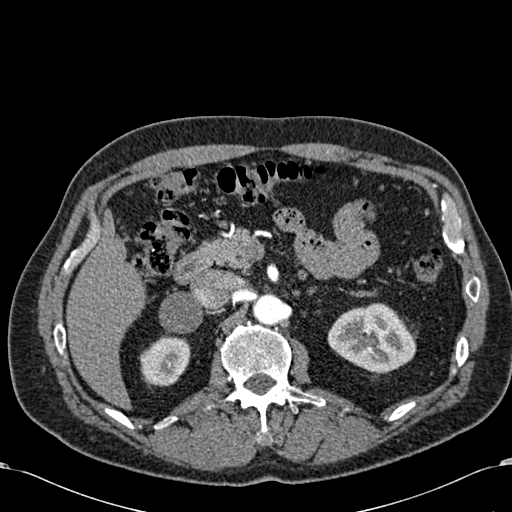
One axial slice (403 of 581, counting up from the lowest) of an arterial-phase abdominal CT acquired with 120 kVp, kernel B30f; each pixel is 0.713 mm and the slice is 1.00 mm thick.
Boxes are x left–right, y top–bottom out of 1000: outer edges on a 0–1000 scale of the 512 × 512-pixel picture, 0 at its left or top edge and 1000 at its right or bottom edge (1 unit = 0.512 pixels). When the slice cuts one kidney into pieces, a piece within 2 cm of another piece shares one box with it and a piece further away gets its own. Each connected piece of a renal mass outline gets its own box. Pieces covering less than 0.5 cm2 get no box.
Boxed on this slice (two kidney boxes), listed by box centre from the image's left to its right: (1) Right kidney, box x 271–373, y 656–756 out of 1000 (outlined area 2,000 px, about 10.2 cm2). (2) Box x 639–814, y 592–732 out of 1000: left kidney (outlined area 4,522 px, about 23.0 cm2). No renal mass outline on this slice.